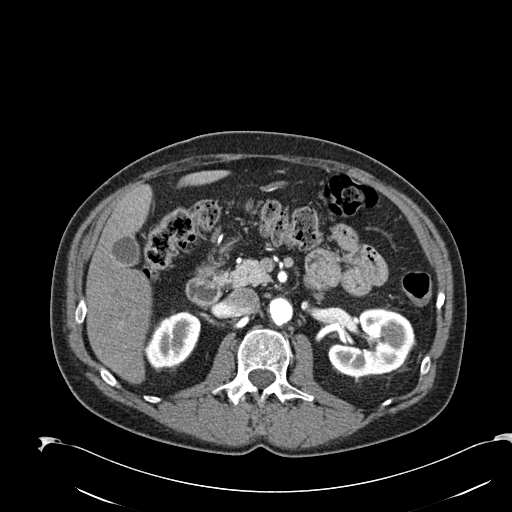
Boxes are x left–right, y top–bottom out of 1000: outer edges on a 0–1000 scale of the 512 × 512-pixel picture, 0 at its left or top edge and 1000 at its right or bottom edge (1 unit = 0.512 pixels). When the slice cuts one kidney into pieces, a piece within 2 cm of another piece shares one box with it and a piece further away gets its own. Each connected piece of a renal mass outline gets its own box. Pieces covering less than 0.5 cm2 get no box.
Slice 126/274 of a contrast-enhanced abdominal CT in the arterial phase, counting up from the lowest; pixel size 0.809 mm, slice thickness 2.00 mm. Boxed on this slice (two kidney boxes), listed by box centre from the image's left to its right: (1) Box x 283–393, y 607–721 out of 1000: right kidney (outlined area 2,307 px, about 15.1 cm2). (2) Left kidney, box x 641–813, y 602–738 out of 1000 (outlined area 4,332 px, about 28.3 cm2). No renal mass outline on this slice.
Acquired at 120 kVp and reconstructed with the B30f kernel.